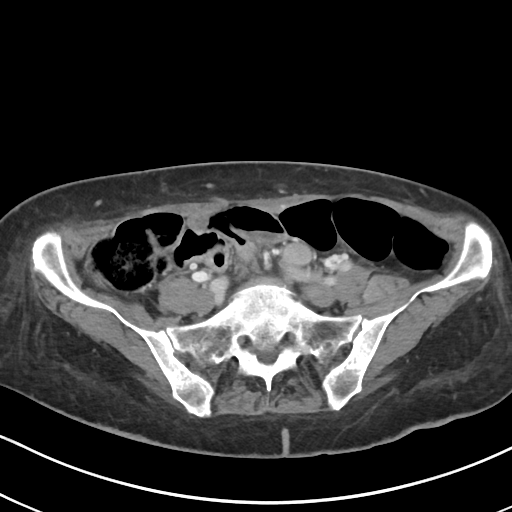
One axial slice (33 of 80, counting up from the lowest) of an arterial-phase abdominal CT acquired with 100 kVp, kernel I40f; each pixel is 0.648 mm and the slice is 5.00 mm thick.
No kidney and no renal mass is outlined on this slice; the outlines in this scan cover only the kidneys and the renal masses, so nothing is said about any other organ.